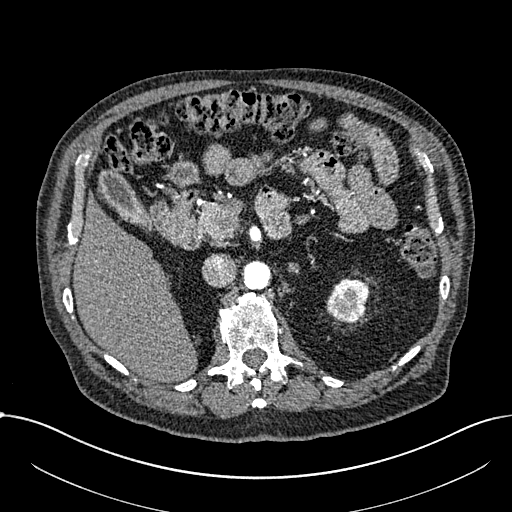
Abdominal CT with intravenous contrast, arterial phase, axial plane, 100 kVp, kernel I30f. Slice 453/1059 from the bottom of the scan; thickness 1.00 mm; pixel size 0.811 mm.
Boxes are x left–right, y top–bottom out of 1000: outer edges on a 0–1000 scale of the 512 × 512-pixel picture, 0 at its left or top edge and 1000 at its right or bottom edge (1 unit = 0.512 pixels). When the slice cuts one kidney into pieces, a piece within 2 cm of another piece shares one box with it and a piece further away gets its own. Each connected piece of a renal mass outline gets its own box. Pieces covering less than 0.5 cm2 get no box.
Left part of the midline-crossing kidney, box x 635–725, y 541–633 out of 1000 (outlined area 1,538 px, about 10.1 cm2). No renal mass is outlined on this slice.